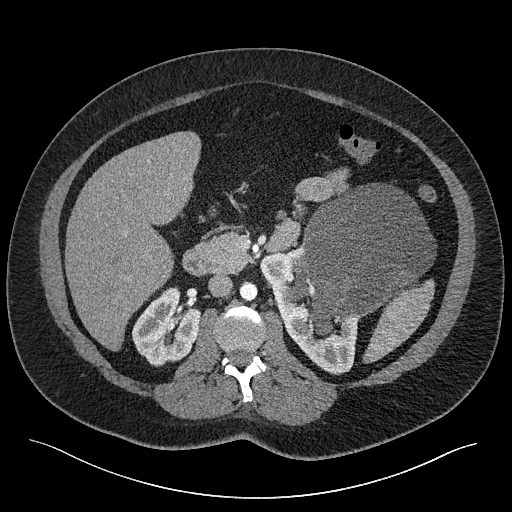
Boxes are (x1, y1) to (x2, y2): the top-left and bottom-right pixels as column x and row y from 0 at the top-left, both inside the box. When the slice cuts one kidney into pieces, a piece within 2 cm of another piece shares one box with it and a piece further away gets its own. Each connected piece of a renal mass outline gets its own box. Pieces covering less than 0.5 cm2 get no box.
Slice 137/301 of a contrast-enhanced abdominal CT, counting up from the lowest; pixel size 0.859 mm, slice thickness 2.00 mm. Three boxes on this slice (two kidney boxes and one renal mass box), listed by box centre from the image's left to its right. (1) Right kidney from (132, 287) to (201, 366) (outlined area 3,796 px, about 28.0 cm2). (2) Box (260, 245) to (360, 374): left kidney (outlined area 4,432 px, about 32.7 cm2). (3) Left renal mass, box (289, 183) to (436, 336) (outlined area 14,769 px, about 109.1 cm2).
Scan settings: 120 kVp, I40f reconstruction kernel.